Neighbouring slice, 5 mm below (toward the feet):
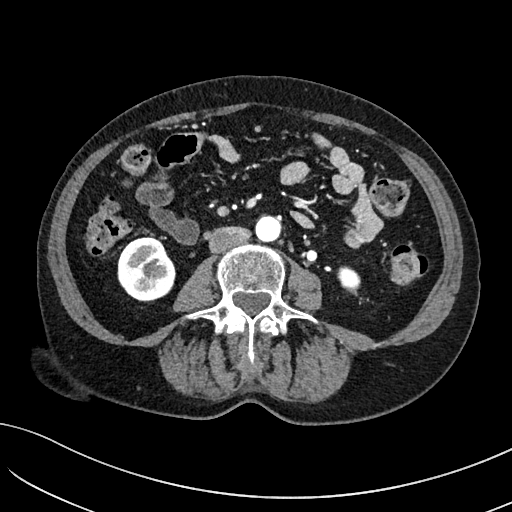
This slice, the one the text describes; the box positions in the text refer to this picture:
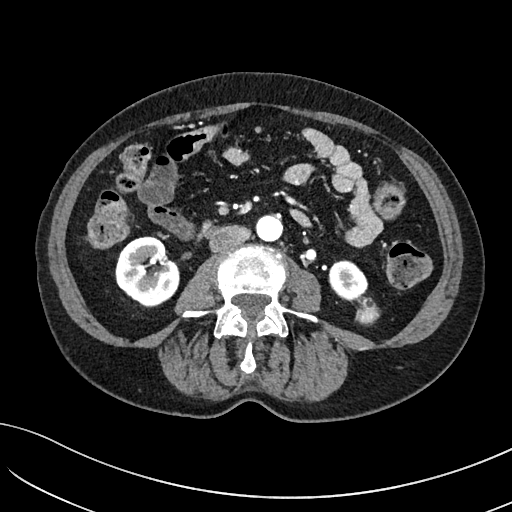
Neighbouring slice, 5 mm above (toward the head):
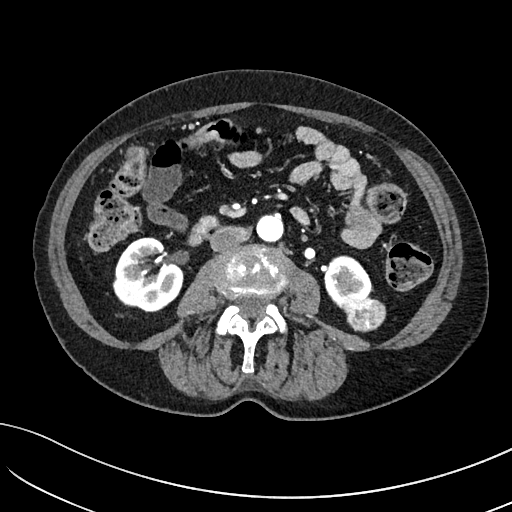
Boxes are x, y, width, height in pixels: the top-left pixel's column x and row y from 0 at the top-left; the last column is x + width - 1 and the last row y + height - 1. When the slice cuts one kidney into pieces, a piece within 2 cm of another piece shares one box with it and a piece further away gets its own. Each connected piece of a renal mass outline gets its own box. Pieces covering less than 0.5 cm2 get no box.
Arterial-phase contrast-enhanced abdominal CT, axial slice 28 of 234 (counted from the lowest slice); 2.00 mm thick, 0.699 mm per pixel. Three boxes on this slice (two kidney boxes and one renal mass box), listed by box centre from the image's left to its right. (1) Right kidney at x 115, y 236, width 65, height 72 (outlined area 3,459 px, about 16.9 cm2). (2) Left kidney at x 328, y 260, width 41, height 41 (outlined area 1,197 px, about 5.9 cm2). (3) Left renal mass at x 349, y 295, width 32, height 31 (outlined area 599 px, about 2.9 cm2). This slice lies near the end of the left renal mass toward the feet; the slices 5 mm below and 5 mm above it are shown too, and the boxes mark positions on this slice only.
Acquired at 100 kVp and reconstructed with the I40f kernel.